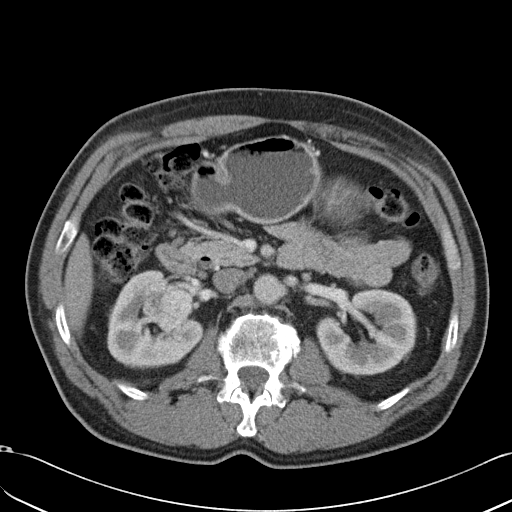
Arterial-phase contrast-enhanced abdominal CT, axial slice 21 of 49 (counted from the lowest slice); tube voltage 120 kVp, convolution kernel B31f; slices 5.00 mm thick, 0.691 mm per pixel.
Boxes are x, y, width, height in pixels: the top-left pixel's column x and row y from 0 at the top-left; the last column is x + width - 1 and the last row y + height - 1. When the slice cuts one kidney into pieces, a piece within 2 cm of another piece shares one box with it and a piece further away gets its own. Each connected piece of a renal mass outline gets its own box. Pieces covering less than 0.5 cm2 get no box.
Boxed on this slice (two kidney boxes and one renal mass box), listed by box centre from the image's left to its right: (1) Right kidney, box x 107, y 270, width 98, height 97 (outlined area 4,876 px, about 23.3 cm2). (2) Right renal mass at x 140, y 278, width 54, height 55 (outlined area 2,044 px, about 9.8 cm2). (3) Left kidney, box x 318, y 289, width 100, height 89 (outlined area 6,276 px, about 30.0 cm2).